Axial slice 318 of 527 of a contrast-enhanced abdominal CT in the arterial phase (slice 1 is the lowest), 120 kVp, kernel I30f; 1.00 mm slice thickness and 0.859 mm pixels.
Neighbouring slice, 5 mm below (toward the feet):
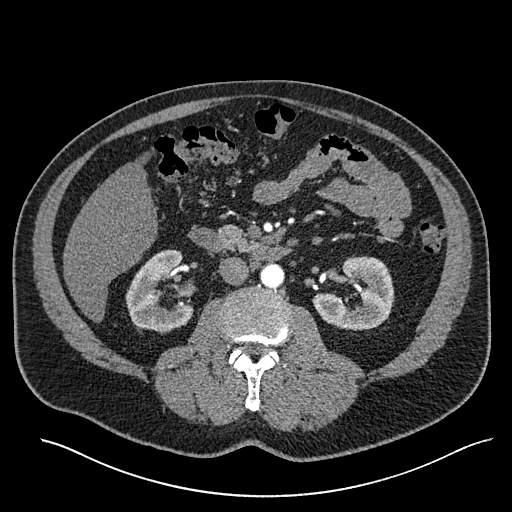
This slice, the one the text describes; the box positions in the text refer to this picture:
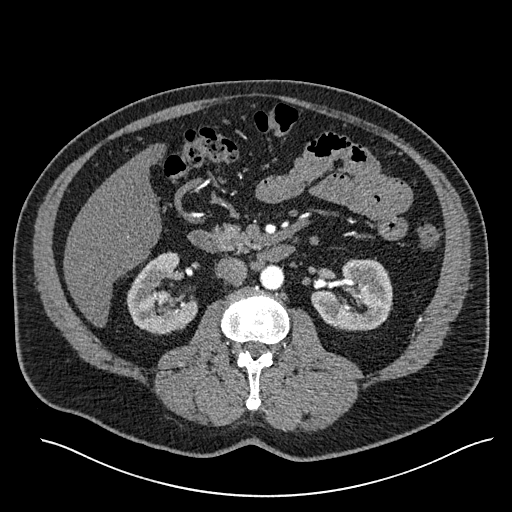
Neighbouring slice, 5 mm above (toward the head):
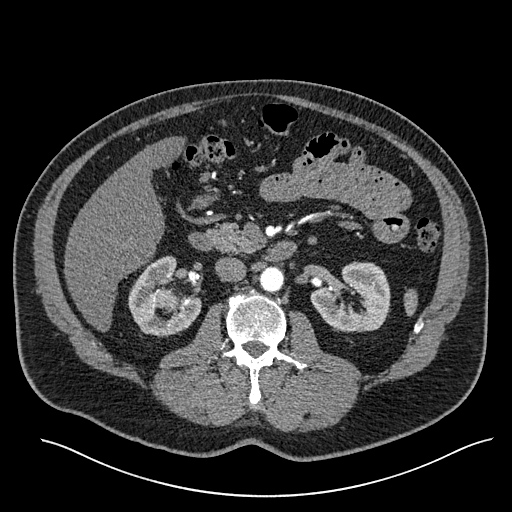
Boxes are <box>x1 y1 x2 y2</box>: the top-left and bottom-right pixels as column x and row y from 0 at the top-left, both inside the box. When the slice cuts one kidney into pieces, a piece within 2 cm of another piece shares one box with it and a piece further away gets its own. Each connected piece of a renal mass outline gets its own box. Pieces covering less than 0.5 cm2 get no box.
Three boxes on this slice (two kidney boxes and one renal mass box), listed by box centre from the image's left to its right. (1) At <box>126 251 197 334</box>: right kidney (outlined area 3,719 px, about 27.5 cm2). (2) Right renal mass: <box>157 289 170 303</box> (outlined area 166 px, about 1.2 cm2). (3) At <box>311 258 392 330</box>: left kidney (outlined area 4,321 px, about 31.9 cm2). This slice lies near the end of the right renal mass toward the feet; the slices 5 mm below and 5 mm above it are shown too, and the boxes mark positions on this slice only.